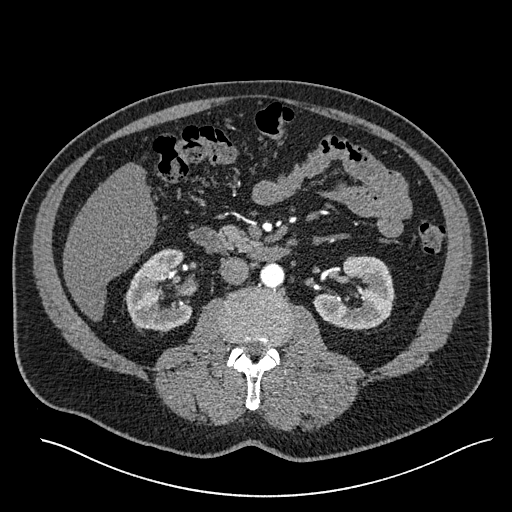
Axial slice 305 of 527 of a contrast-enhanced abdominal CT in the arterial phase (slice 1 is the lowest), 120 kVp, kernel I30f; 1.00 mm slice thickness and 0.859 mm pixels.
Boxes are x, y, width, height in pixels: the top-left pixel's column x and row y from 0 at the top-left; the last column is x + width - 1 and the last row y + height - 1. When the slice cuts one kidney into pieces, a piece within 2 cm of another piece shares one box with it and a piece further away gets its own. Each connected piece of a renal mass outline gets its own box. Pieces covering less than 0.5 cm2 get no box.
Two kidney boxes on this slice; by box centre, from the image's left to its right: (1) Right kidney at x 125, y 248, width 69, height 84 (outlined area 4,005 px, about 29.6 cm2). (2) Box x 314, y 255, width 82, height 76: left kidney (outlined area 4,106 px, about 30.3 cm2). No renal mass is outlined on this slice.